One axial slice (274 of 326, counting up from the lowest) of an arterial-phase abdominal CT acquired with 120 kVp, kernel B31f; each pixel is 0.963 mm and the slice is 2.00 mm thick.
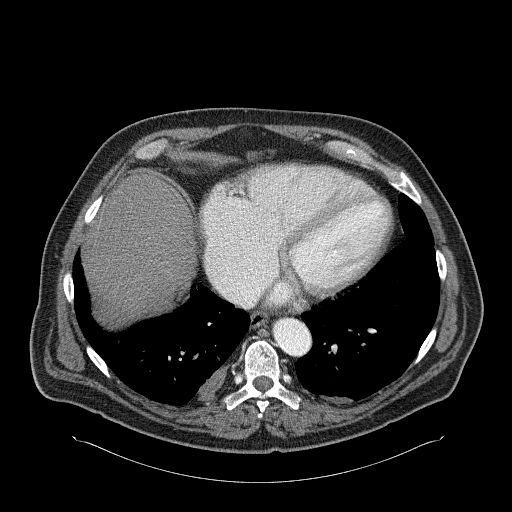
Neither a kidney nor a renal mass is outlined here. Only kidneys and renal masses are outlined anywhere in this scan; other structures are never outlined.